Abdominal CT with intravenous contrast, arterial phase, axial plane, 120 kVp, kernel B30f. Slice 482/723 from the bottom of the scan; thickness 1.00 mm; pixel size 0.895 mm.
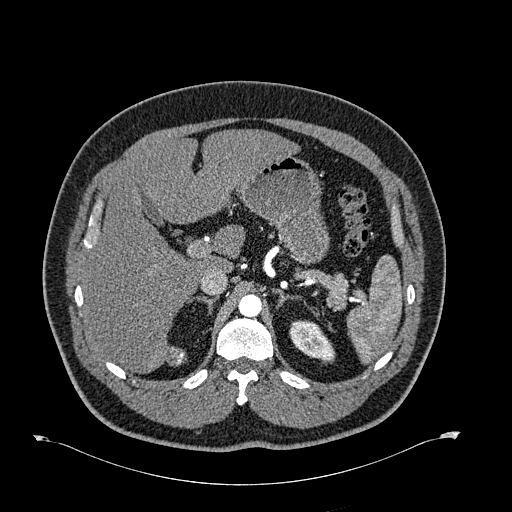
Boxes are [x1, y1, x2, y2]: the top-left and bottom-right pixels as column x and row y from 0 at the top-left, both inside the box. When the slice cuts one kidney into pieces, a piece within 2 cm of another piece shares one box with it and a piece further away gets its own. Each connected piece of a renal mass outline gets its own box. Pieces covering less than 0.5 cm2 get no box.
Left kidney, box [289, 320, 335, 363] (outlined area 1,295 px, about 10.4 cm2). This slice carries no renal mass outline.